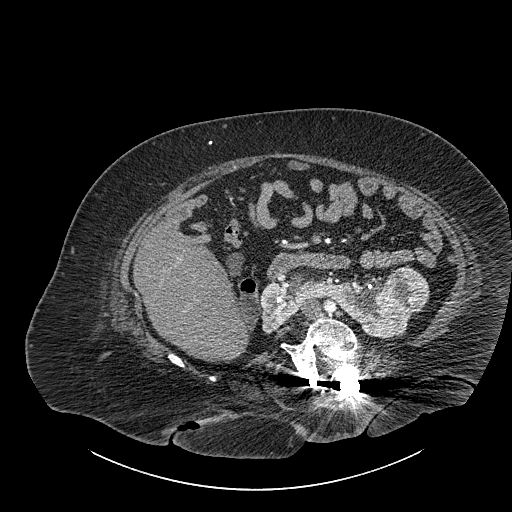
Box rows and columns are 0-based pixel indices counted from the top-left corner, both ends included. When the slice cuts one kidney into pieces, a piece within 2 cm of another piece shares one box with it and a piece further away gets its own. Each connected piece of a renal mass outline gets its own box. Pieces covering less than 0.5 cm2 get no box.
Slice 513/834 of a contrast-enhanced abdominal CT, counting up from the lowest; pixel size 0.977 mm, slice thickness 1.00 mm. One kidney box and one renal mass box on this slice; by box centre, from the image's left to its right: (1) Kidney crossing the body midline at rows 273–339, columns 260–412 (outlined area 5,078 px, about 48.4 cm2). (2) Renal mass at rows 267–313, columns 384–429 (outlined area 1,746 px, about 16.7 cm2).
Tube voltage 140 kVp; convolution kernel I30f.